Axial slice 208 of 1059 of a contrast-enhanced abdominal CT in the arterial phase (slice 1 is the lowest), 100 kVp, kernel I30f; 1.00 mm slice thickness and 0.811 mm pixels.
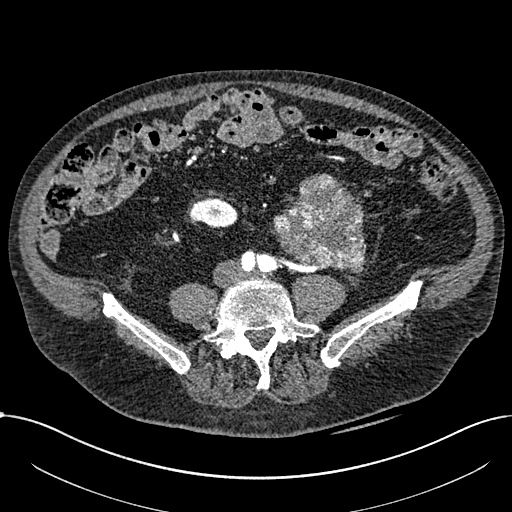
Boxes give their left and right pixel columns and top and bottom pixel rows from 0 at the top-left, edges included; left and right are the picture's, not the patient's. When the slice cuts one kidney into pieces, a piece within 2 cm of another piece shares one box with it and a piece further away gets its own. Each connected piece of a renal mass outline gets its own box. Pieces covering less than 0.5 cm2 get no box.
Two boxes on this slice (one kidney box and one renal mass box), listed by box centre from the image's left to its right. (1) Box with left 189, top 197, right 237, bottom 228: right part of the midline-crossing kidney (outlined area 1,122 px, about 7.4 cm2). (2) Renal mass, the box with left 273, top 173, right 366, bottom 273 (outlined area 6,563 px, about 43.1 cm2); it sits over 1 cm from every kidney outline on this slice, but the same outlined renal mass comes within 1 cm of the kidney on another slice.